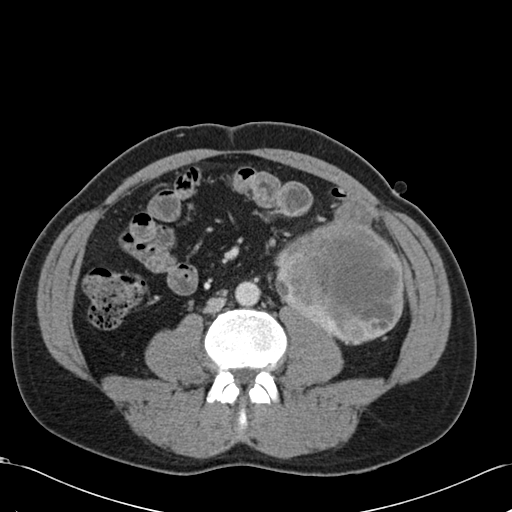
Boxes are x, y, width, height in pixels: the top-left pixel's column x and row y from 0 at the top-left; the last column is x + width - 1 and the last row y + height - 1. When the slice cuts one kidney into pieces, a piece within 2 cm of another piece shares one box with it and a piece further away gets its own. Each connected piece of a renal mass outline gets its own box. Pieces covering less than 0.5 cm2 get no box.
Arterial-phase contrast-enhanced abdominal CT, axial slice 51 of 99 (counted from the lowest slice); 5.00 mm thick, 0.693 mm per pixel. Box x 274, y 199, width 131, height 147: left renal mass (outlined area 12,998 px, about 62.5 cm2); no kidney outline appears on this slice, but the same outlined renal mass comes within 1 cm of the kidney on another slice.
Tube voltage 120 kVp; convolution kernel B30f.